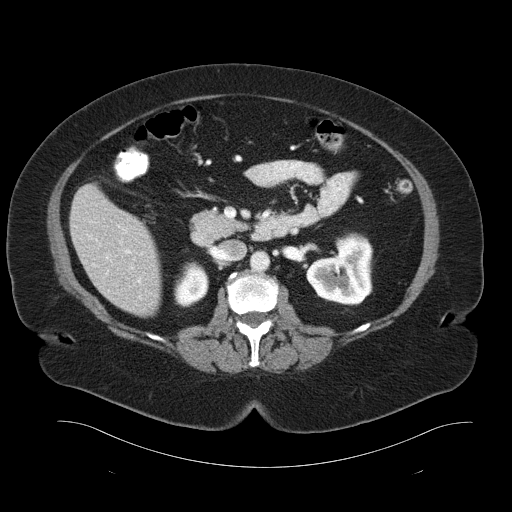
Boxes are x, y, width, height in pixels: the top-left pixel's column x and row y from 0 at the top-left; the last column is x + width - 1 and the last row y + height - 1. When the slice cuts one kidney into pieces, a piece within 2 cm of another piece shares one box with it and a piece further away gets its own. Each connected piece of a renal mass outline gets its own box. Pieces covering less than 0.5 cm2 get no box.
This is axial slice 59 of 93 (slice 1 is the lowest) of an abdominal CT with contrast; each pixel is 0.938 mm and the slice is 5.00 mm thick. Two kidney boxes on this slice; by box centre, from the image's left to its right: (1) Right kidney at x 173, y 261, width 37, height 47 (outlined area 1,235 px, about 10.9 cm2). (2) Box x 306, y 232, width 68, height 74: left kidney (outlined area 3,523 px, about 31.0 cm2). No renal mass is outlined on this slice.
Tube voltage 120 kVp; convolution kernel B30f.